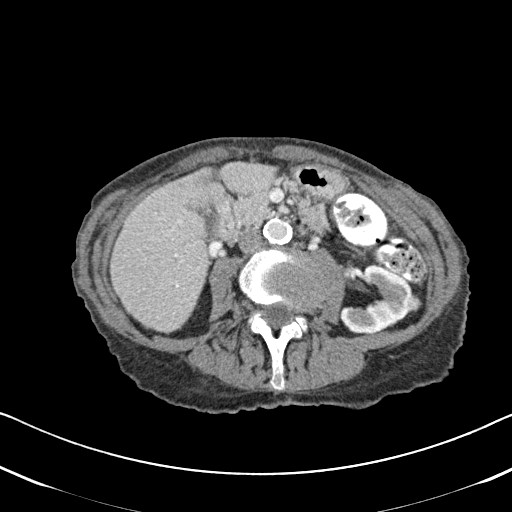
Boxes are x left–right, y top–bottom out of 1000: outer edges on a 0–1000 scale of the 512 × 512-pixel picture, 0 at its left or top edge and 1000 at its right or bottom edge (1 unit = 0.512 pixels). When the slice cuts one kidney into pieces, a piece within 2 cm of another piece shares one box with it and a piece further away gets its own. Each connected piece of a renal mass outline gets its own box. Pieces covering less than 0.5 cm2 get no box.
Arterial-phase contrast-enhanced abdominal CT, axial slice 276 of 620 (counted from the lowest slice); 2.00 mm thick, 0.637 mm per pixel. Boxed on this slice (one kidney box and one renal mass box), listed by box centre from the image's left to its right: (1) Left kidney, box x 664–816, y 514–654 out of 1000 (outlined area 3,090 px, about 12.5 cm2). (2) Left renal mass at x 787–824, y 578–609 out of 1000 (outlined area 235 px, about 1.0 cm2).
Scan settings: 120 kVp, B31f reconstruction kernel.